Abdominal CT with intravenous contrast, arterial phase, axial plane, 140 kVp, kernel I30f. Slice 372/591 from the bottom of the scan; thickness 1.00 mm; pixel size 0.703 mm.
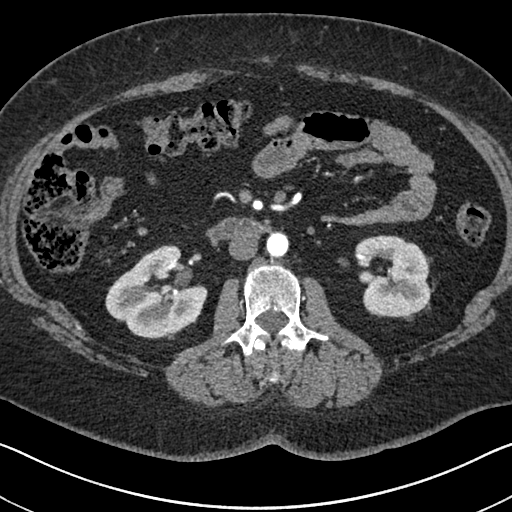
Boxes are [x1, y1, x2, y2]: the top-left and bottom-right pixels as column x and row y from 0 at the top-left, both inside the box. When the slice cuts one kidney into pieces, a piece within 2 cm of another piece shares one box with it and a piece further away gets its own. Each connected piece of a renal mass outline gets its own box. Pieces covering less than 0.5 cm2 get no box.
Boxed on this slice (two kidney boxes), listed by box centre from the image's left to its right: (1) Box [105, 245, 207, 339]: right kidney (outlined area 6,323 px, about 31.3 cm2). (2) Left kidney at [353, 235, 430, 317] (outlined area 4,859 px, about 24.0 cm2). No renal mass is outlined on this slice.